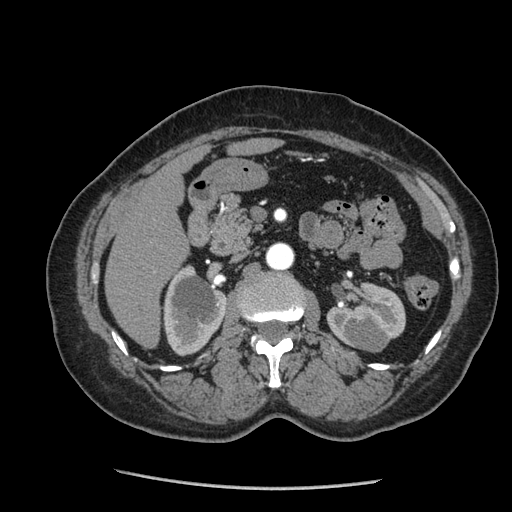
Abdominal CT with intravenous contrast, arterial phase, axial plane, 120 kVp, kernel STANDARD. Slice 131/233 from the bottom of the scan; thickness 1.25 mm; pixel size 0.703 mm.
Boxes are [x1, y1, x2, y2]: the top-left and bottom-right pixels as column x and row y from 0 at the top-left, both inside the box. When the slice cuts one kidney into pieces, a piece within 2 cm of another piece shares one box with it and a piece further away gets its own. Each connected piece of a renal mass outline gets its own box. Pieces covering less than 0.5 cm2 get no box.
Two kidney boxes and one renal mass box on this slice; by box centre, from the image's left to its right: (1) Right kidney at [163, 264, 227, 356] (outlined area 4,221 px, about 20.9 cm2). (2) Left kidney at [326, 281, 405, 347] (outlined area 3,107 px, about 15.4 cm2). (3) Left renal mass, box [350, 321, 390, 352] (outlined area 923 px, about 4.6 cm2).